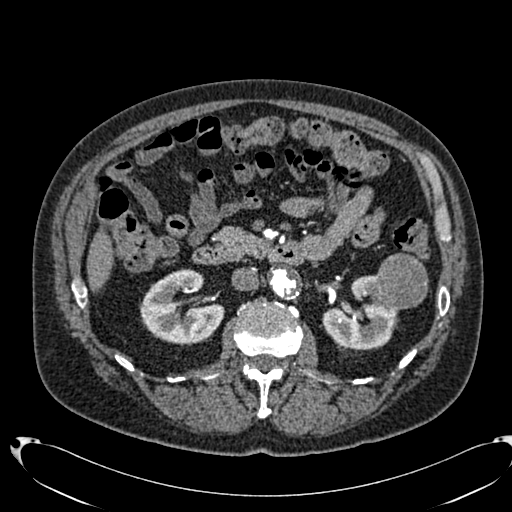
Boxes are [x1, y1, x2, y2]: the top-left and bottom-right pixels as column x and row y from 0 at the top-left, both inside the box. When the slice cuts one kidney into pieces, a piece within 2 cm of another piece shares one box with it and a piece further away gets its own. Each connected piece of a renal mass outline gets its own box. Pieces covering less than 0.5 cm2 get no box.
This is axial slice 415 of 553 (slice 1 is the lowest) of an arterial-phase abdominal CT with contrast; each pixel is 0.773 mm and the slice is 1.00 mm thick. Two kidney boxes and one renal mass box on this slice; by box centre, from the image's left to its right: (1) Box [139, 269, 224, 345]: right kidney (outlined area 4,420 px, about 26.4 cm2). (2) Box [322, 275, 397, 350]: left kidney (outlined area 3,362 px, about 20.1 cm2). (3) Left renal mass, box [374, 253, 428, 309] (outlined area 2,454 px, about 14.7 cm2).
Tube voltage 120 kVp; convolution kernel B20f.